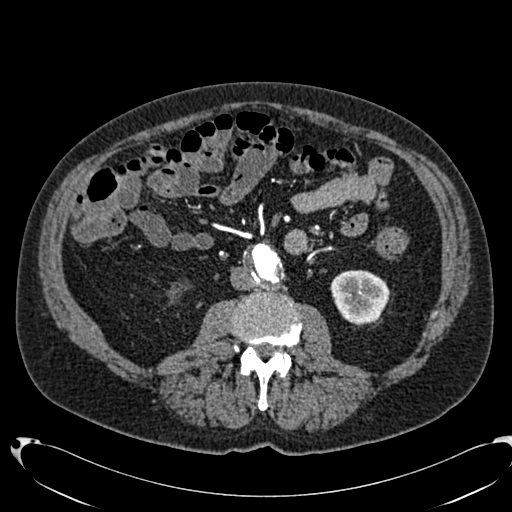
Abdominal CT with intravenous contrast, arterial phase, axial plane, 120 kVp, kernel B20f. Slice 345/553 from the bottom of the scan; thickness 1.00 mm; pixel size 0.773 mm.
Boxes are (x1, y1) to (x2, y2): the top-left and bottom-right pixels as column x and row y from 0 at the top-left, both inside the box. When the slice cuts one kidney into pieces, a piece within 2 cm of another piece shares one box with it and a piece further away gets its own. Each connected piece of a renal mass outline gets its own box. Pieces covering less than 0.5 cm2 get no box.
Boxed on this slice (two kidney boxes), listed by box centre from the image's left to its right: (1) Box (168, 284) to (178, 298): right kidney (outlined area 92 px, about 0.6 cm2). (2) Left kidney, box (330, 270) to (389, 325) (outlined area 2,528 px, about 15.1 cm2). This slice carries no renal mass outline.